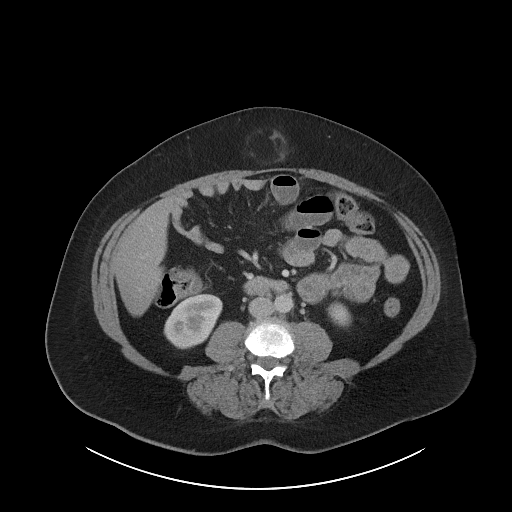
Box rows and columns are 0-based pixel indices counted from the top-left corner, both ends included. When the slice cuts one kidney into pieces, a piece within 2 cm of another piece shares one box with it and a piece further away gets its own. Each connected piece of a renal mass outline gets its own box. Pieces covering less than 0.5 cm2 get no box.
This is axial slice 45 of 86 (slice 1 is the lowest) of an arterial-phase abdominal CT with contrast; each pixel is 0.977 mm and the slice is 5.00 mm thick. Boxed on this slice (two kidney boxes), listed by box centre from the image's left to its right: (1) Right kidney at rows 293–349, columns 164–222 (outlined area 2,318 px, about 22.1 cm2). (2) Left kidney, box rows 301–326, columns 327–351 (outlined area 452 px, about 4.3 cm2). No renal mass outline on this slice.
Scan settings: 120 kVp, I40f reconstruction kernel.